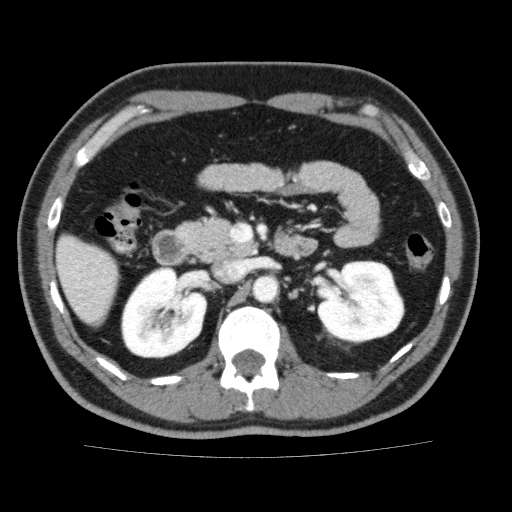
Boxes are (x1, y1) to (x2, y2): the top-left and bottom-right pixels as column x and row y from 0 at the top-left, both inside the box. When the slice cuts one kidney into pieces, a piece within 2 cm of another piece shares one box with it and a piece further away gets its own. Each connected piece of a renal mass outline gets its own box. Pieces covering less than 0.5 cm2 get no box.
Contrast-enhanced abdominal CT, axial slice 108 of 159 (counted from the lowest slice); 3.00 mm thick, 0.668 mm per pixel. Two boxes on this slice (two kidney boxes), listed by box centre from the image's left to its right. (1) Right kidney from (120, 266) to (207, 358) (outlined area 6,030 px, about 26.9 cm2). (2) Left kidney, box (316, 260) to (405, 342) (outlined area 5,544 px, about 24.7 cm2). No renal mass is outlined on this slice.
Acquired at 120 kVp and reconstructed with the FC13 kernel.